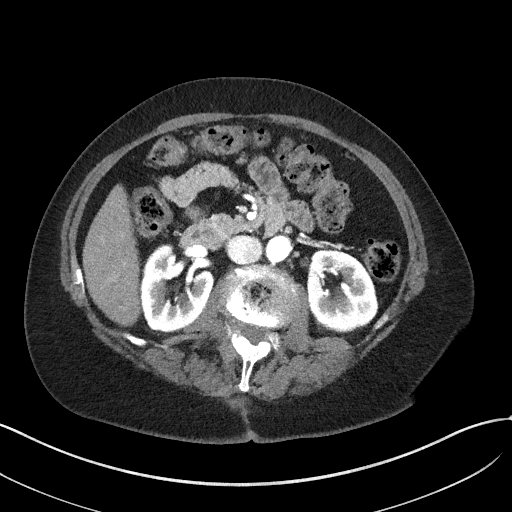
Axial slice 24 of 50 of a contrast-enhanced abdominal CT in the arterial phase (slice 1 is the lowest), 100 kVp, kernel I41f; 3.00 mm slice thickness and 0.758 mm pixels.
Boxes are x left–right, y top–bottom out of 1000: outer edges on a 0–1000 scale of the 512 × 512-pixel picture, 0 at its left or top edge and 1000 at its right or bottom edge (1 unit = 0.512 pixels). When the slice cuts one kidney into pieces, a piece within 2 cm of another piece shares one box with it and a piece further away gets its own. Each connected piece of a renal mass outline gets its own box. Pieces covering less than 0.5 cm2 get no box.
Two kidney boxes on this slice; by box centre, from the image's left to its right: (1) Box x 277–418, y 477–650 out of 1000: right kidney (outlined area 4,535 px, about 26.0 cm2). (2) Left kidney at x 602–740, y 486–648 out of 1000 (outlined area 4,445 px, about 25.5 cm2). No renal mass is outlined on this slice.